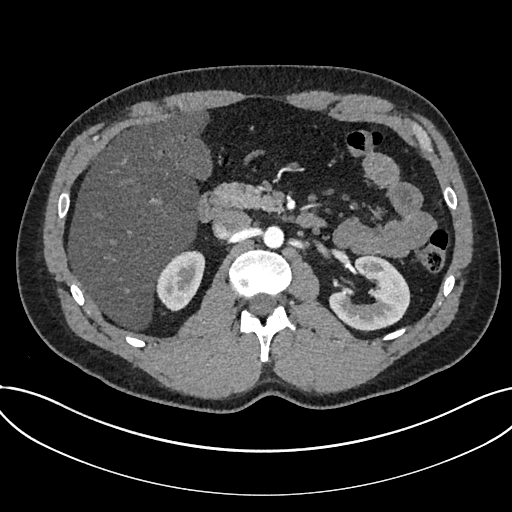
Axial slice 449 of 735 of a contrast-enhanced abdominal CT in the arterial phase (slice 1 is the lowest), 120 kVp, kernel I30f; 1.00 mm slice thickness and 0.789 mm pixels.
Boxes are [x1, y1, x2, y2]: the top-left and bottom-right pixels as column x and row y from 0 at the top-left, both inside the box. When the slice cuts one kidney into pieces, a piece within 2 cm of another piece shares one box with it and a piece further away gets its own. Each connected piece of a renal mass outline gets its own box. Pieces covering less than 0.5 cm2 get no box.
Two boxes on this slice (two kidney boxes), listed by box centre from the image's left to its right. (1) Kidney, box [157, 250, 203, 311] (outlined area 2,060 px, about 12.8 cm2). (2) Kidney at [329, 255, 409, 331] (outlined area 3,995 px, about 24.9 cm2). No renal mass is outlined on this slice.